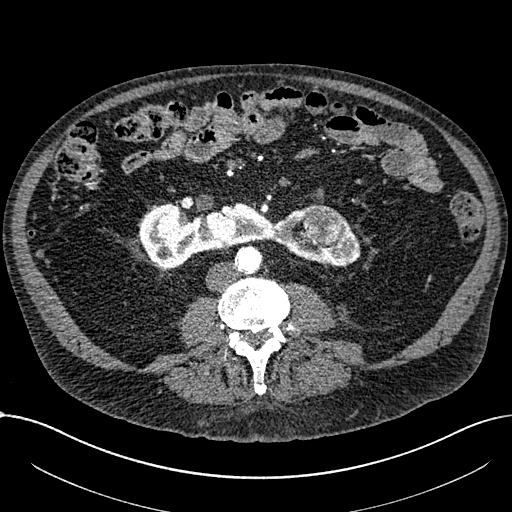
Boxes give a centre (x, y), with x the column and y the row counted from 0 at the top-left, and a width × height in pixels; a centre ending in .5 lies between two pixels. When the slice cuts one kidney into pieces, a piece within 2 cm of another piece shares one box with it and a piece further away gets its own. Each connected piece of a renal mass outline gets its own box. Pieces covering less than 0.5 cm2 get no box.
This is axial slice 299 of 1059 (slice 1 is the lowest) of an arterial-phase abdominal CT with contrast; each pixel is 0.811 mm and the slice is 1.00 mm thick. Two boxes on this slice (one kidney box and one renal mass box), listed by box centre from the image's left to its right. (1) Kidney crossing the body midline in a box with centre (249.5, 235), 222 × 67 pixels (outlined area 8,386 px, about 55.1 cm2). (2) Box centre (323, 225), 47 × 43 pixels: renal mass (outlined area 1,502 px, about 9.9 cm2).
Tube voltage 100 kVp; convolution kernel I30f.